Arterial-phase contrast-enhanced abdominal CT, axial slice 207 of 261 (counted from the lowest slice); tube voltage 120 kVp, convolution kernel I30f; slices 2.00 mm thick, 0.939 mm per pixel.
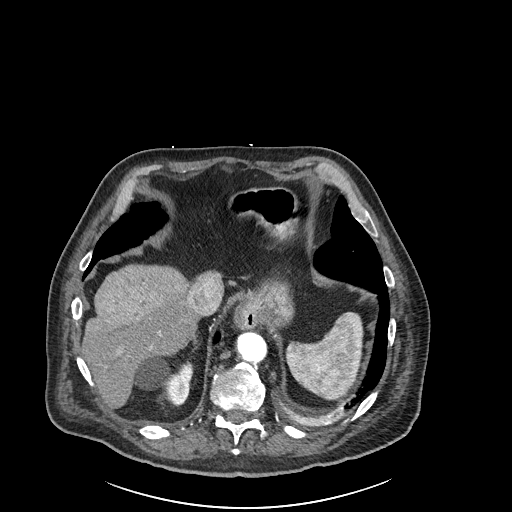
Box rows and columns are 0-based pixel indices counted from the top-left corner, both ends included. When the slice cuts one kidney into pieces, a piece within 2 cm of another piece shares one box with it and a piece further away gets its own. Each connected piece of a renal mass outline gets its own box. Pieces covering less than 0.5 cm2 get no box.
Right kidney at rows 357–405, columns 135–193 (outlined area 1,625 px, about 14.3 cm2). No renal mass outline on this slice.